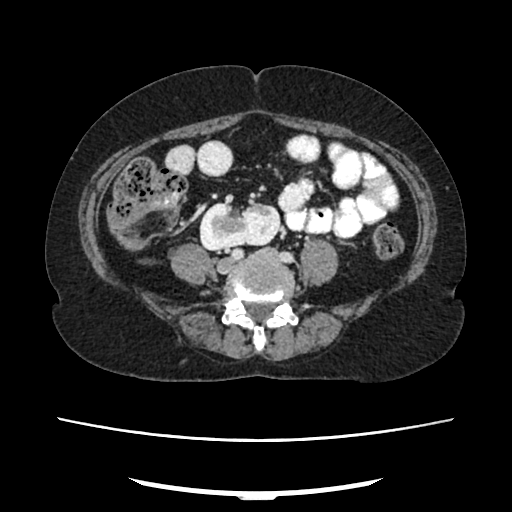
Axial slice 94 of 207 of a contrast-enhanced abdominal CT in the arterial phase (slice 1 is the lowest), 120 kVp, kernel FC18; 2.00 mm slice thickness and 0.741 mm pixels.
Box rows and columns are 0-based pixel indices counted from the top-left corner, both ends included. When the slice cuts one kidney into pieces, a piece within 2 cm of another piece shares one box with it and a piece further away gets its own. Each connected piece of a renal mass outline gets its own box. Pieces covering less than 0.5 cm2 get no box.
Right kidney at rows 201–251, columns 199–280 (outlined area 3,255 px, about 17.9 cm2). No renal mass outline on this slice.